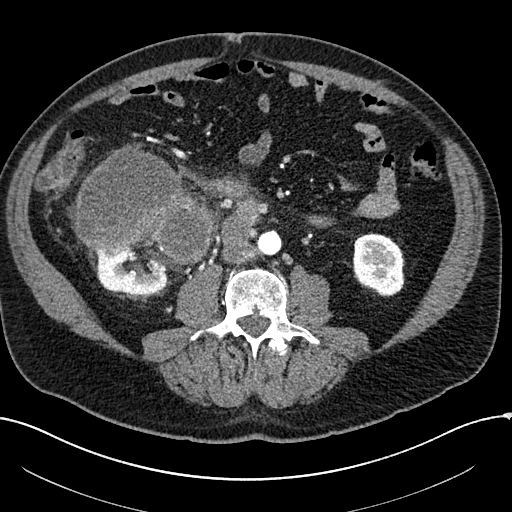
Abdominal CT with intravenous contrast, arterial phase, axial plane, 100 kVp, kernel I30f. Slice 62/304 from the bottom of the scan; thickness 2.00 mm; pixel size 0.809 mm.
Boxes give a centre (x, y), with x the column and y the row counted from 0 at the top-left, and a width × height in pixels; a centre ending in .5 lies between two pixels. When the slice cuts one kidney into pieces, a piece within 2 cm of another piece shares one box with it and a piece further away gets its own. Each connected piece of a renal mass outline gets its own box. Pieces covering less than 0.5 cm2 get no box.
Boxed on this slice (two kidney boxes and one renal mass box), listed by box centre from the image's left to its right: (1) Box centre (131, 272.5), 75 × 46 pixels: right kidney (outlined area 2,539 px, about 16.6 cm2). (2) Right renal mass, box centre (144.5, 207), 140 × 123 pixels (outlined area 11,886 px, about 77.7 cm2). (3) Left kidney, box centre (378.5, 264), 52 × 65 pixels (outlined area 2,690 px, about 17.6 cm2).